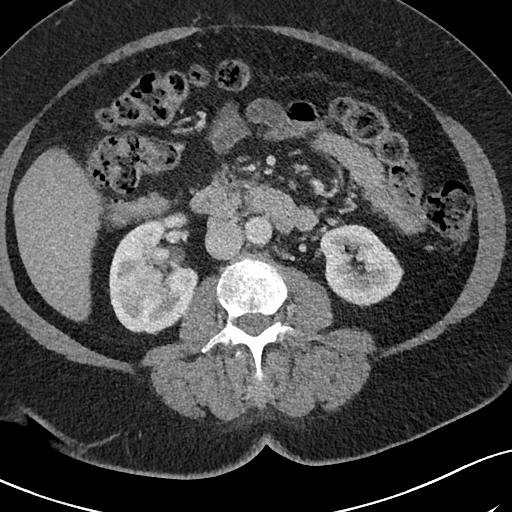
Axial slice 37 of 69 of a contrast-enhanced abdominal CT in the arterial phase (slice 1 is the lowest), 120 kVp, kernel I40f; 3.00 mm slice thickness and 0.664 mm pixels.
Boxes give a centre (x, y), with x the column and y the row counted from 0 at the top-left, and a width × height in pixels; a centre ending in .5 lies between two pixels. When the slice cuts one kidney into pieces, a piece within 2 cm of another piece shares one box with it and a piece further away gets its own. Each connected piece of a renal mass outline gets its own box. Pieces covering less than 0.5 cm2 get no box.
Boxed on this slice (two kidney boxes and one renal mass box), listed by box centre from the image's left to its right: (1) Right renal mass, box centre (135, 283.5), 41 × 32 pixels (outlined area 955 px, about 4.2 cm2). (2) Right kidney in a box with centre (153.5, 273.5), 90 × 122 pixels (outlined area 7,145 px, about 31.5 cm2). (3) Left kidney, box centre (361.5, 265.5), 84 × 84 pixels (outlined area 4,973 px, about 21.9 cm2).